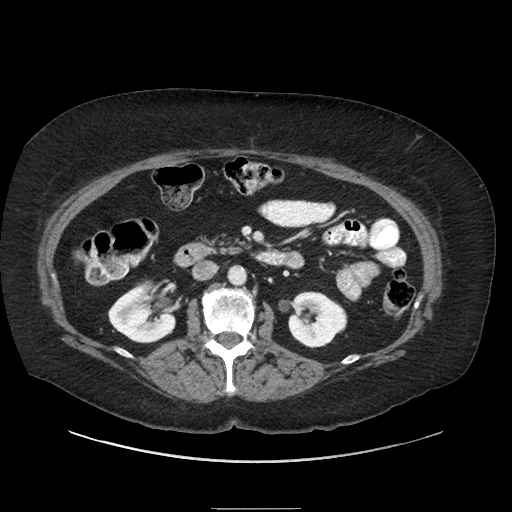
One axial slice (121 of 186, counting up from the lowest) of a contrast-enhanced abdominal CT acquired with 120 kVp, kernel STANDARD; each pixel is 0.850 mm and the slice is 2.50 mm thick.
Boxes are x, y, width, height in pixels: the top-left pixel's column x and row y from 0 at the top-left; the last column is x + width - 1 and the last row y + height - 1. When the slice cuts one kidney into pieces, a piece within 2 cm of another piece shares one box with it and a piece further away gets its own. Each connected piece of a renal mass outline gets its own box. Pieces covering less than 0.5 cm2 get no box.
Three boxes on this slice (two kidney boxes and one renal mass box), listed by box centre from the image's left to its right. (1) Box x 107, y 288, width 71, height 56: right kidney (outlined area 2,250 px, about 16.2 cm2). (2) Right renal mass, box x 134, y 280, width 41, height 35 (outlined area 882 px, about 6.4 cm2). (3) Left kidney at x 287, y 291, width 61, height 57 (outlined area 2,581 px, about 18.6 cm2).